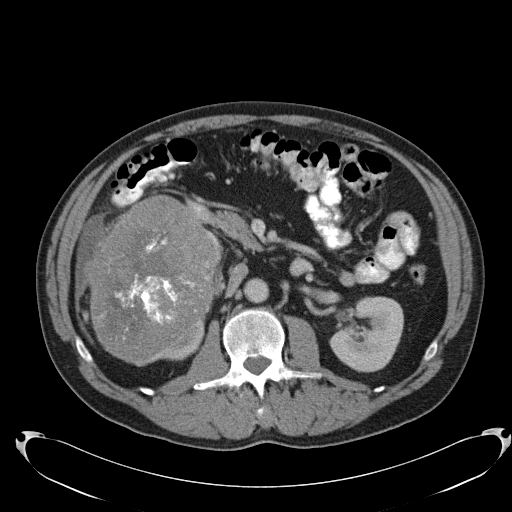
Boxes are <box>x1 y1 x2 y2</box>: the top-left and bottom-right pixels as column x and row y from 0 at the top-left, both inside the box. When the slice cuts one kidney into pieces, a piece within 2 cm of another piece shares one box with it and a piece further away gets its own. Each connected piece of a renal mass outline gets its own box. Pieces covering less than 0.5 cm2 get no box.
Slice 64/103 of a contrast-enhanced abdominal CT, counting up from the lowest; pixel size 0.801 mm, slice thickness 5.00 mm. Three boxes on this slice (two kidney boxes and one renal mass box), listed by box centre from the image's left to its right. (1) Right renal mass at <box>83 193 224 366</box> (outlined area 17,249 px, about 110.6 cm2). (2) At <box>157 318 205 360</box>: right kidney (outlined area 814 px, about 5.2 cm2). (3) Left kidney at <box>329 296 403 372</box> (outlined area 4,197 px, about 26.9 cm2).
Tube voltage 120 kVp; convolution kernel B31f.